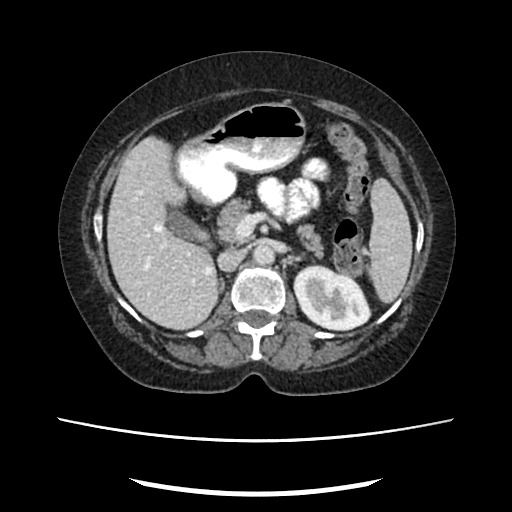
Arterial-phase contrast-enhanced abdominal CT, axial slice 148 of 207 (counted from the lowest slice); tube voltage 120 kVp, convolution kernel FC18; slices 2.00 mm thick, 0.741 mm per pixel.
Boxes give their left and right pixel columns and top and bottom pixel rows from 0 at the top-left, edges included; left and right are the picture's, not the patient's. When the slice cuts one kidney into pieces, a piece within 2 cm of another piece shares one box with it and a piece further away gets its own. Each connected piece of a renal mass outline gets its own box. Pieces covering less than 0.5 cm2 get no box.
Left kidney, the box with left 293, top 263, right 371, bottom 331 (outlined area 3,824 px, about 21.0 cm2). This slice carries no renal mass outline.